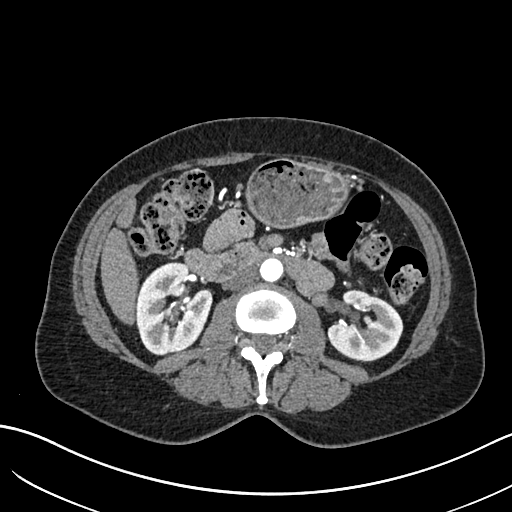
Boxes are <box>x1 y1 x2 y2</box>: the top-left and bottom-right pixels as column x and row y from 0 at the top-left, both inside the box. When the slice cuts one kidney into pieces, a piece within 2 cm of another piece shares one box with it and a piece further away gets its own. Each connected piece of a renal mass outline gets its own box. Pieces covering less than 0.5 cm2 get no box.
Slice 353/683 of a contrast-enhanced abdominal CT in the arterial phase, counting up from the lowest; pixel size 0.738 mm, slice thickness 1.00 mm. Boxed on this slice (two kidney boxes), listed by box centre from the image's left to its right: (1) Right kidney at <box>135 262 212 355</box> (outlined area 5,354 px, about 29.2 cm2). (2) Left kidney at <box>327 290 403 361</box> (outlined area 3,798 px, about 20.7 cm2). No renal mass is outlined on this slice.
Scan settings: 120 kVp, I30f reconstruction kernel.